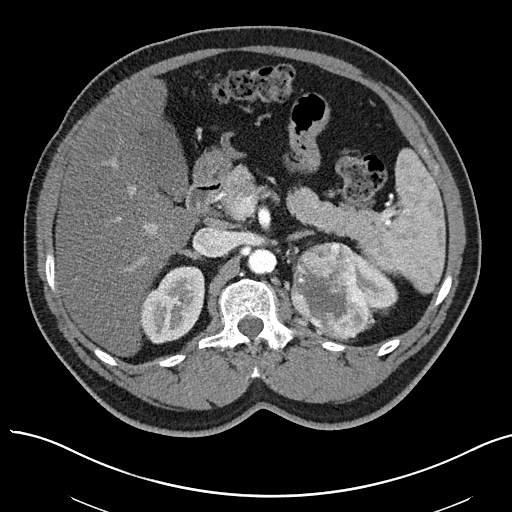
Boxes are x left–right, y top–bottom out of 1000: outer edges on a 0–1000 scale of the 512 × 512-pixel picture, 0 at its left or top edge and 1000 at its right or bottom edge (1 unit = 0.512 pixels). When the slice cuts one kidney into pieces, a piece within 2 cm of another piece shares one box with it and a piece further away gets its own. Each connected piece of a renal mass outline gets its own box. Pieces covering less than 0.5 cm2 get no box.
Slice 47/97 of a contrast-enhanced abdominal CT in the arterial phase, counting up from the lowest; pixel size 0.797 mm, slice thickness 3.00 mm. Three boxes on this slice (two kidney boxes and one renal mass box), listed by box centre from the image's left to its right. (1) Right kidney, box x 271–400, y 520–674 out of 1000 (outlined area 3,750 px, about 23.8 cm2). (2) Left renal mass at x 566–734, y 473–670 out of 1000 (outlined area 6,046 px, about 38.4 cm2). (3) Left kidney at x 691–779, y 492–615 out of 1000 (outlined area 1,494 px, about 9.5 cm2).
Tube voltage 100 kVp; convolution kernel I40f.